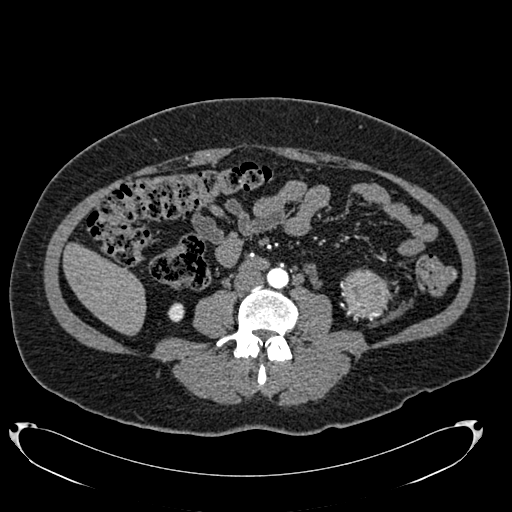
Abdominal CT with intravenous contrast, arterial phase, axial plane, 120 kVp, kernel B20f. Slice 316/634 from the bottom of the scan; thickness 1.00 mm; pixel size 0.838 mm.
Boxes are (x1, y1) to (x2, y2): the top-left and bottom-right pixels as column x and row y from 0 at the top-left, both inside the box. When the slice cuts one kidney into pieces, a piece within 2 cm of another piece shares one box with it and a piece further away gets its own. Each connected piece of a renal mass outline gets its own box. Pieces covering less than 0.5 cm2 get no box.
One kidney box and one renal mass box on this slice; by box centre, from the image's left to its right: (1) Right kidney, box (167, 302) to (184, 322) (outlined area 265 px, about 1.9 cm2). (2) Left renal mass, box (341, 269) to (390, 316) (outlined area 1,832 px, about 12.9 cm2); it sits over 1 cm from every kidney outline on this slice, but the same outlined renal mass comes within 1 cm of the kidney on another slice.